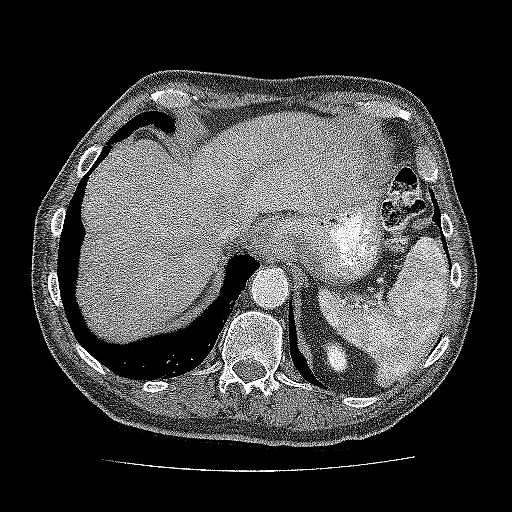
Contrast-enhanced abdominal CT, axial slice 119 of 137 (counted from the lowest slice); tube voltage 120 kVp, convolution kernel FC52; slices 3.00 mm thick, 0.741 mm per pixel.
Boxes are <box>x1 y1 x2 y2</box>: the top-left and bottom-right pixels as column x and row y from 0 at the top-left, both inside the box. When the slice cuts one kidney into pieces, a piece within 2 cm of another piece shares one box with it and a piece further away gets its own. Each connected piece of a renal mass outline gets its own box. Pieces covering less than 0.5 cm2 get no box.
Kidney at <box>325 342 347 372</box> (outlined area 546 px, about 3.0 cm2). This slice carries no renal mass outline.